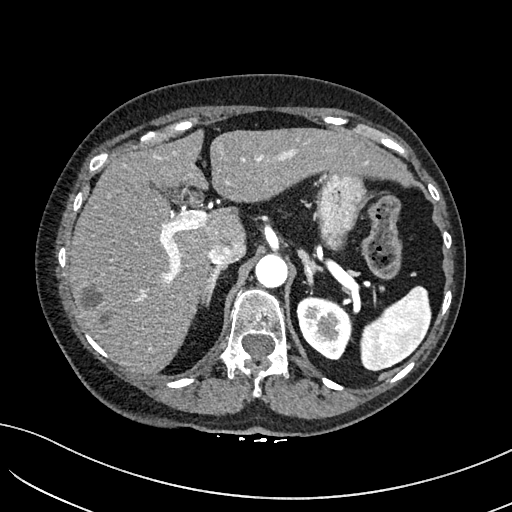
Axial slice 120 of 234 of a contrast-enhanced abdominal CT in the arterial phase (slice 1 is the lowest), 100 kVp, kernel I40f; 2.00 mm slice thickness and 0.699 mm pixels.
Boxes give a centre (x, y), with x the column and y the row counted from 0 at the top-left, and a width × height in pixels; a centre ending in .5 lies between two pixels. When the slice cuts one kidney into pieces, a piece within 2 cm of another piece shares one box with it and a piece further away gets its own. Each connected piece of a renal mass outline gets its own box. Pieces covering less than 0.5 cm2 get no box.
Left kidney, box centre (323, 328), 55 × 65 pixels (outlined area 2,601 px, about 12.7 cm2). No renal mass is outlined on this slice.